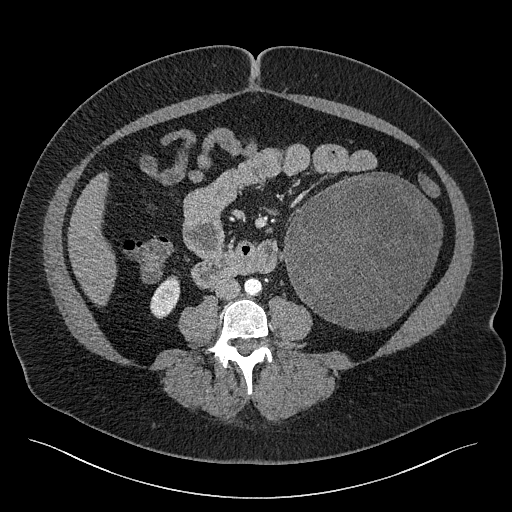
Axial slice 86 of 301 of a contrast-enhanced abdominal CT (slice 1 is the lowest), 120 kVp, kernel I40f; 2.00 mm slice thickness and 0.859 mm pixels.
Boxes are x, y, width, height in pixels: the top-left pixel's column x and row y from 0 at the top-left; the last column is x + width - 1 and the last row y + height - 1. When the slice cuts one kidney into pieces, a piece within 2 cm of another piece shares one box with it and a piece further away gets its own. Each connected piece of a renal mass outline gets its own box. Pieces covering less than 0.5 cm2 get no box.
One kidney box and one renal mass box on this slice; by box centre, from the image's left to its right: (1) Box x 150, y 276, width 31, height 43: right kidney (outlined area 907 px, about 6.7 cm2). (2) Left renal mass at x 283, y 172, width 160, height 159 (outlined area 18,986 px, about 140.2 cm2); it sits over 1 cm from every kidney outline on this slice, but the same outlined renal mass comes within 1 cm of the kidney on another slice.